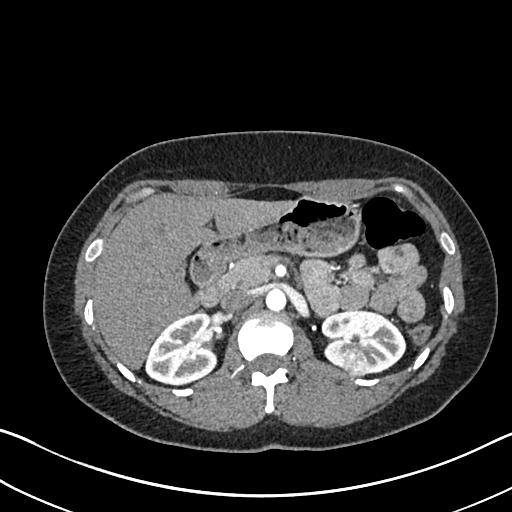
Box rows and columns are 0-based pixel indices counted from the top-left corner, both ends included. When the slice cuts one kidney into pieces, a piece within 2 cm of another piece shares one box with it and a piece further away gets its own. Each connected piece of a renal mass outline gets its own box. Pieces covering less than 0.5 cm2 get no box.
Slice 445/612 of a contrast-enhanced abdominal CT in the arterial phase, counting up from the lowest; pixel size 0.703 mm, slice thickness 1.00 mm. Three boxes on this slice (two kidney boxes and one renal mass box), listed by box centre from the image's left to its right. (1) Right kidney, box rows 312–385, columns 145–217 (outlined area 3,963 px, about 19.6 cm2). (2) Box rows 348–377, columns 342–368: left renal mass (outlined area 608 px, about 3.0 cm2). (3) Left kidney at rows 309–375, columns 321–406 (outlined area 3,765 px, about 18.6 cm2).
Tube voltage 120 kVp; convolution kernel I30f.